Arterial-phase contrast-enhanced abdominal CT, axial slice 24 of 70 (counted from the lowest slice); tube voltage 120 kVp, convolution kernel B30f; slices 5.00 mm thick, 0.977 mm per pixel.
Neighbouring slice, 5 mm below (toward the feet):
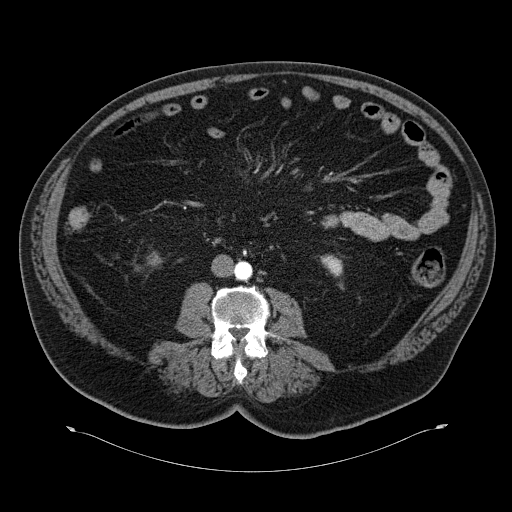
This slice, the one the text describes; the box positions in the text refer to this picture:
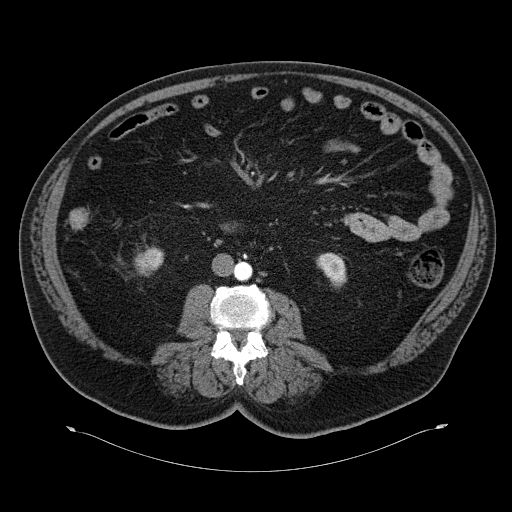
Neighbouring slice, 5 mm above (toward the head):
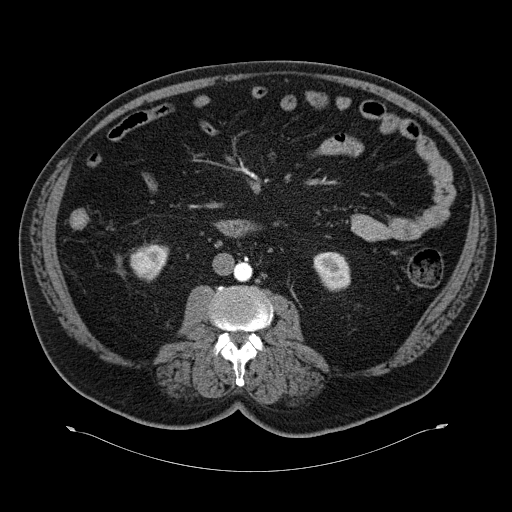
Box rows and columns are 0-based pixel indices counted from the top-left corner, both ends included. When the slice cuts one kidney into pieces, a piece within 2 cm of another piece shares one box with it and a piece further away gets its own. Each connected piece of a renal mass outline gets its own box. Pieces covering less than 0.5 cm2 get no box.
Two kidney boxes and one renal mass box on this slice; by box centre, from the image's left to its right: (1) Right renal mass at rows 253–276, columns 134–151 (outlined area 298 px, about 2.8 cm2). (2) Right kidney at rows 246–273, columns 139–164 (outlined area 356 px, about 3.4 cm2). (3) Left kidney, box rows 252–287, columns 316–346 (outlined area 757 px, about 7.2 cm2). This slice is near the end of the right renal mass toward the feet, so the slices 5 mm below and 5 mm above it are shown as well; the boxes refer to this slice only.